Axial slice 24 of 101 of a contrast-enhanced abdominal CT (slice 1 is the lowest), 100 kVp, kernel I40f; 5.00 mm slice thickness and 0.879 mm pixels.
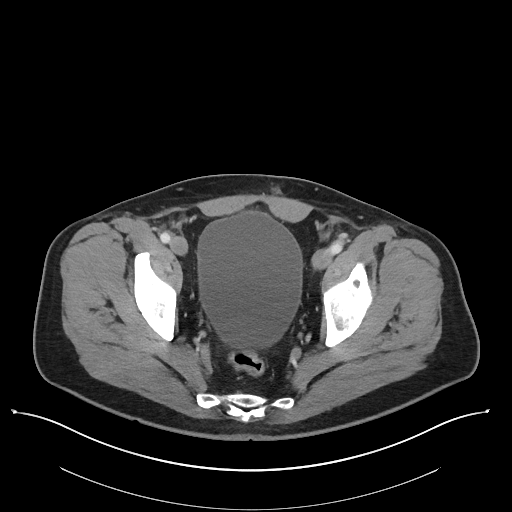
Outside the outlined region: no kidney outline and no renal mass outline on this slice. The scan's outlines cover only kidneys and renal masses; no other organ is outlined.